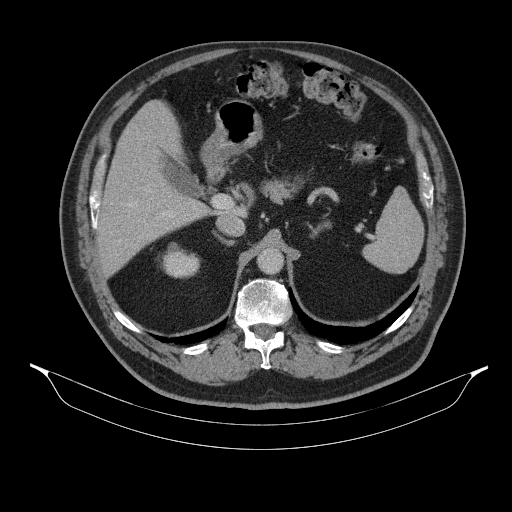
One axial slice (235 of 314, counting up from the lowest) of a contrast-enhanced abdominal CT acquired with 130 kVp, kernel B31s; each pixel is 0.934 mm and the slice is 2.50 mm thick.
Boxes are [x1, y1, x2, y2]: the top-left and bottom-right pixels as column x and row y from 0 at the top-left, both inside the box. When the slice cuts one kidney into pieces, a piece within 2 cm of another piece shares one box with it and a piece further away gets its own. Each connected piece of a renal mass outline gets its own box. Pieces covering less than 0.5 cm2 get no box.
Box [161, 242, 200, 278]: right kidney (outlined area 1,007 px, about 8.8 cm2). No renal mass is outlined on this slice.